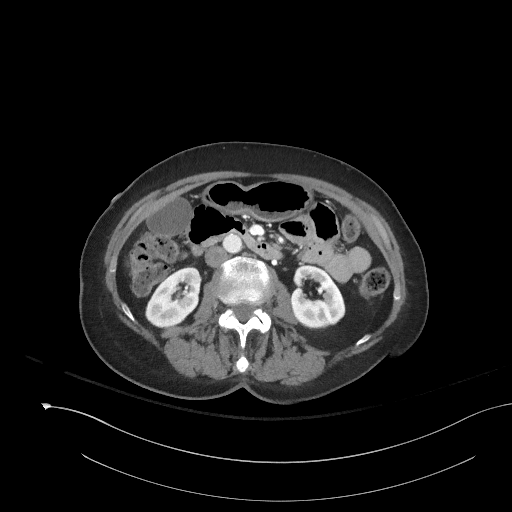
Abdominal CT with intravenous contrast, axial plane, 120 kVp, kernel I41f. Slice 92/153 from the bottom of the scan; thickness 3.00 mm; pixel size 0.893 mm.
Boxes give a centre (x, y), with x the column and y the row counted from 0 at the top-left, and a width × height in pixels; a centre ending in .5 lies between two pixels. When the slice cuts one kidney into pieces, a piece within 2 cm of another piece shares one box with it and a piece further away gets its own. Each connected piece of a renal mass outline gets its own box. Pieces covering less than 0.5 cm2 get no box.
Two boxes on this slice (two kidney boxes), listed by box centre from the image's left to its right. (1) Right kidney in a box with centre (173, 297), 57 × 63 pixels (outlined area 2,409 px, about 19.2 cm2). (2) Left kidney in a box with centre (318, 297.5), 55 × 64 pixels (outlined area 2,517 px, about 20.1 cm2). This slice carries no renal mass outline.